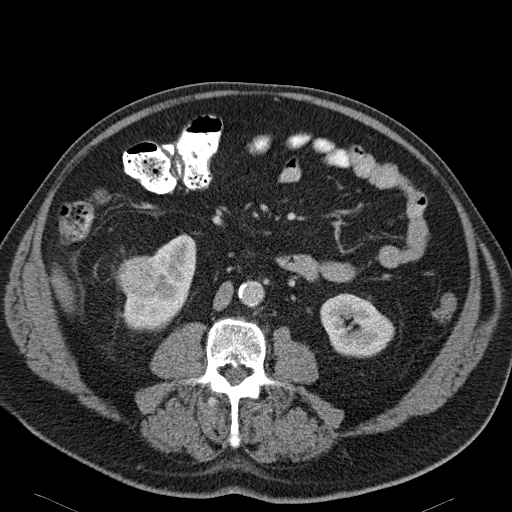
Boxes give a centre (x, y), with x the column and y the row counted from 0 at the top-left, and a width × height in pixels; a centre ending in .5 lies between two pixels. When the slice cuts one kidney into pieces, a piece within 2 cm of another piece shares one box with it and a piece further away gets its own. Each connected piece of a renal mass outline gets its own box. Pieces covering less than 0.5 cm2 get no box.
This is axial slice 71 of 114 (slice 1 is the lowest) of an arterial-phase abdominal CT with contrast; each pixel is 0.781 mm and the slice is 5.00 mm thick. Boxed on this slice (two kidney boxes and one renal mass box), listed by box centre from the image's left to its right: (1) Right renal mass in a box with centre (142.5, 279), 52 × 49 pixels (outlined area 1,960 px, about 12.0 cm2). (2) Box centre (159.5, 283), 74 × 99 pixels: right kidney (outlined area 3,451 px, about 21.1 cm2). (3) Left kidney, box centre (357, 325), 75 × 65 pixels (outlined area 3,521 px, about 21.5 cm2).
Scan settings: 120 kVp, B31f reconstruction kernel.